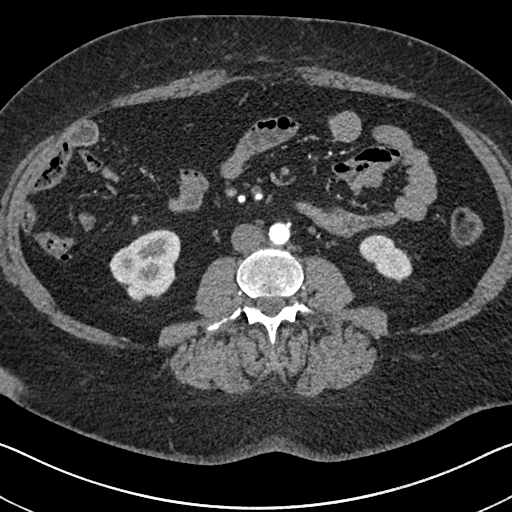
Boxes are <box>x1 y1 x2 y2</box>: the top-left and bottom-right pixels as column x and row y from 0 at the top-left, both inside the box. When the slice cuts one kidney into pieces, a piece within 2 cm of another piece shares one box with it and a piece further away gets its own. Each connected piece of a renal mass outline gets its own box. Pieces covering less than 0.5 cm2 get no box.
This is axial slice 303 of 591 (slice 1 is the lowest) of an arterial-phase abdominal CT with contrast; each pixel is 0.703 mm and the slice is 1.00 mm thick. Boxed on this slice (two kidney boxes), listed by box centre from the image's left to its right: (1) Right kidney at <box>109 229 180 301</box> (outlined area 3,629 px, about 17.9 cm2). (2) At <box>359 234 412 282</box>: left kidney (outlined area 1,641 px, about 8.1 cm2). This slice carries no renal mass outline.
Scan settings: 140 kVp, I30f reconstruction kernel.